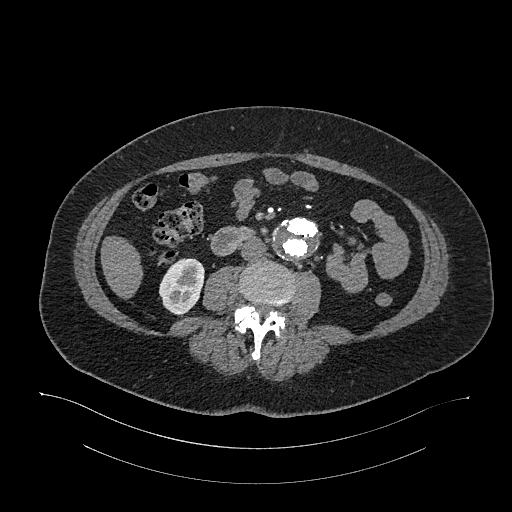
One axial slice (558 of 987, counting up from the lowest) of an arterial-phase abdominal CT acquired with 120 kVp, kernel I26f; each pixel is 0.977 mm and the slice is 1.00 mm thick.
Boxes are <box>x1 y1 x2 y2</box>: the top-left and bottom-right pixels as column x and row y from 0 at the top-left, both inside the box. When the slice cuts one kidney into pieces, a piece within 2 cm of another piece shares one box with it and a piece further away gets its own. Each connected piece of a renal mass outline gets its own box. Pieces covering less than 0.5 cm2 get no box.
Right kidney: <box>159 258 204 316</box> (outlined area 1,976 px, about 18.8 cm2). No renal mass is outlined on this slice.